Axial slice 275 of 512 of a contrast-enhanced abdominal CT in the arterial phase (slice 1 is the lowest), 120 kVp, kernel B30f; 1.00 mm slice thickness and 0.771 mm pixels.
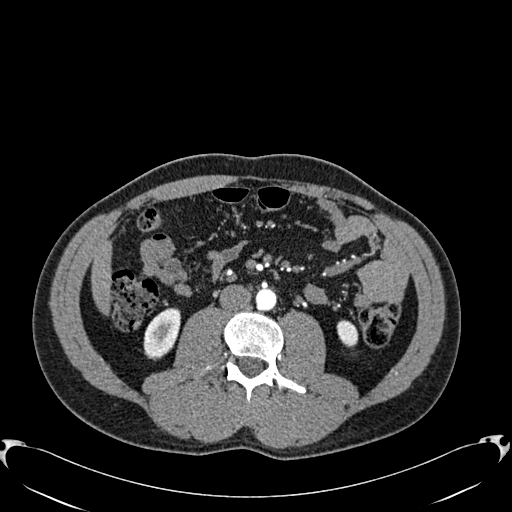
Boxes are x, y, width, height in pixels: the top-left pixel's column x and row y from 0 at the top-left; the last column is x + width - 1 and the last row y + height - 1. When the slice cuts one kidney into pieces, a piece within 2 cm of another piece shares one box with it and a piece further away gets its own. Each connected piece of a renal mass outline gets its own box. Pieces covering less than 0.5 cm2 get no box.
Two kidney boxes on this slice; by box centre, from the image's left to its right: (1) Right kidney at x 143, y 308, width 38, height 52 (outlined area 1,403 px, about 8.4 cm2). (2) Box x 336, y 320, width 23, height 28: left kidney (outlined area 472 px, about 2.8 cm2). This slice carries no renal mass outline.